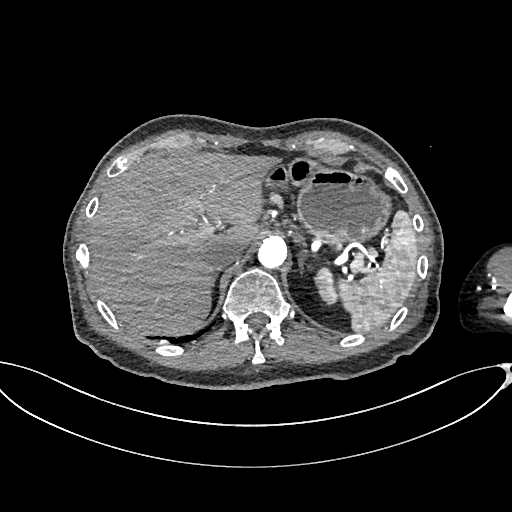
One axial slice (518 of 665, counting up from the lowest) of an arterial-phase abdominal CT acquired with 100 kVp, kernel I26f; each pixel is 0.828 mm and the slice is 1.00 mm thick.
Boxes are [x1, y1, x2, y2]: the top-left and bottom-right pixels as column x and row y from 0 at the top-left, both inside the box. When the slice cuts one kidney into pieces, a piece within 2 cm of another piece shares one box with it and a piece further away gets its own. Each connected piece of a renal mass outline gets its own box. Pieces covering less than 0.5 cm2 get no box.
Box [314, 266, 338, 305]: left kidney (outlined area 649 px, about 4.5 cm2). No renal mass is outlined on this slice.